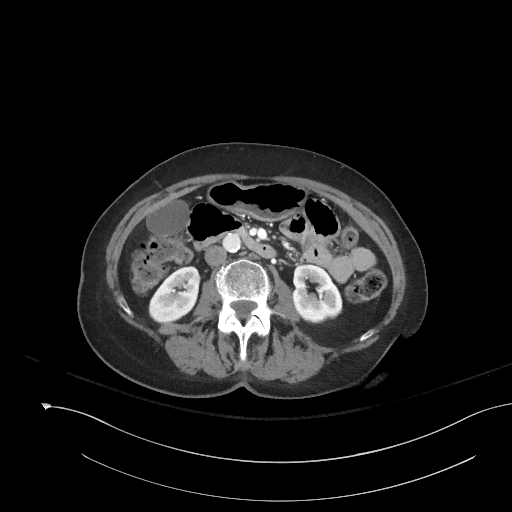
Abdominal CT with intravenous contrast, axial plane, 120 kVp, kernel I41f. Slice 90/153 from the bottom of the scan; thickness 3.00 mm; pixel size 0.893 mm.
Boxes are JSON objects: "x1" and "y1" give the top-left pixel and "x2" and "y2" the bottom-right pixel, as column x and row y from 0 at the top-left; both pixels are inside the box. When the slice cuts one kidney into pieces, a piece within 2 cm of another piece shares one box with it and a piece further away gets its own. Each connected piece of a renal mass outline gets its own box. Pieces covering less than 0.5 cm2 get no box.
Boxed on this slice (two kidney boxes), listed by box centre from the image's left to its right: (1) Right kidney at {"x1": 148, "y1": 265, "x2": 200, "y2": 321} (outlined area 2,105 px, about 16.8 cm2). (2) Left kidney at {"x1": 292, "y1": 263, "x2": 342, "y2": 323} (outlined area 2,294 px, about 18.3 cm2). No renal mass is outlined on this slice.